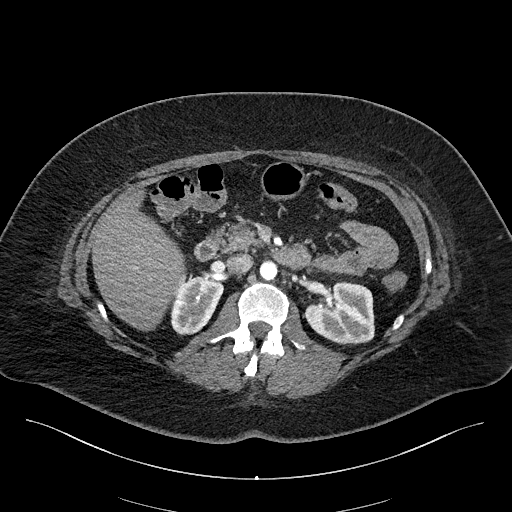
Axial slice 115 of 270 of a contrast-enhanced abdominal CT in the arterial phase (slice 1 is the lowest), 100 kVp, kernel I40f; 2.00 mm slice thickness and 0.855 mm pixels.
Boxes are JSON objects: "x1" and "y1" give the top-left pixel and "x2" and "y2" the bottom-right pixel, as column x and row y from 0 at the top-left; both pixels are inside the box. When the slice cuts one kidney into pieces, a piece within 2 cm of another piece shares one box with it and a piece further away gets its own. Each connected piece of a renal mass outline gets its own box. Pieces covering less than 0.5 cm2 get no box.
Two boxes on this slice (two kidney boxes), listed by box centre from the image's left to its right. (1) Right kidney at {"x1": 170, "y1": 276, "x2": 223, "y2": 335} (outlined area 2,206 px, about 16.1 cm2). (2) Box {"x1": 304, "y1": 281, "x2": 374, "y2": 344}: left kidney (outlined area 3,455 px, about 25.3 cm2). No renal mass is outlined on this slice.